One axial slice (549 of 834, counting up from the lowest) of a contrast-enhanced abdominal CT acquired with 140 kVp, kernel I30f; each pixel is 0.977 mm and the slice is 1.00 mm thick.
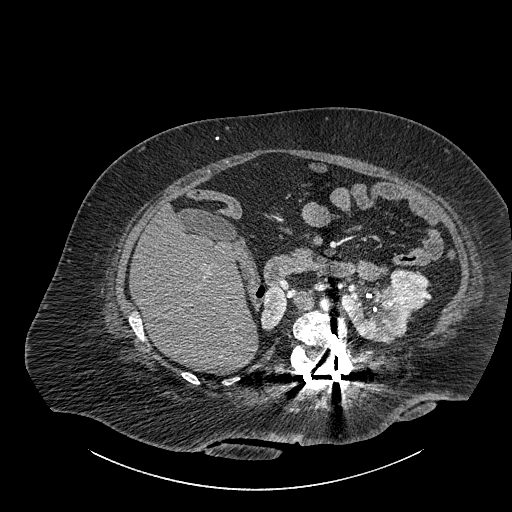
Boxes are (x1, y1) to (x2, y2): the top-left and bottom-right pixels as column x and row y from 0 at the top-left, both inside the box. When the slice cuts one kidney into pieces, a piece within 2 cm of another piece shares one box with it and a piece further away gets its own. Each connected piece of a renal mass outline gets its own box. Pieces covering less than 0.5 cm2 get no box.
Boxed on this slice (two kidney boxes and one renal mass box), listed by box centre from the image's left to its right: (1) Box (260, 286) to (286, 330): right part of the midline-crossing kidney (outlined area 875 px, about 8.3 cm2). (2) Left part of the midline-crossing kidney, box (341, 285) to (413, 344) (outlined area 2,595 px, about 24.7 cm2). (3) Renal mass, box (390, 268) to (428, 309) (outlined area 1,259 px, about 12.0 cm2).